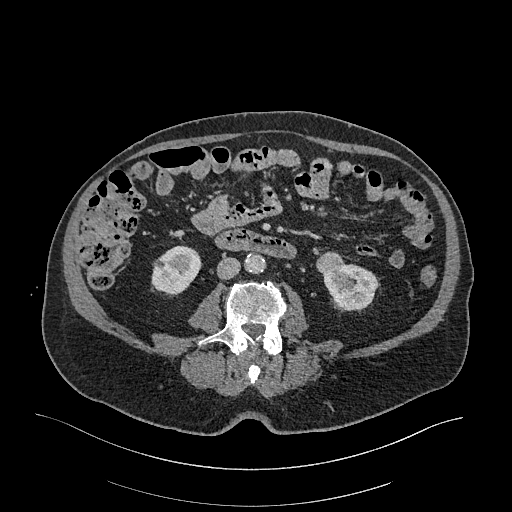
Axial slice 91 of 470 of a contrast-enhanced abdominal CT in the arterial phase (slice 1 is the lowest), 120 kVp, kernel I26f; 1.00 mm slice thickness and 0.938 mm pixels.
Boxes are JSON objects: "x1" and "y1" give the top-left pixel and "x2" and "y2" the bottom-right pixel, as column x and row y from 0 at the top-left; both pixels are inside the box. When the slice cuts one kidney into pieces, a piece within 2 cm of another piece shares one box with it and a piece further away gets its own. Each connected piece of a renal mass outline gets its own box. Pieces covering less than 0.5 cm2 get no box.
Two kidney boxes and one renal mass box on this slice; by box centre, from the image's left to its right: (1) Right kidney at {"x1": 151, "y1": 245, "x2": 202, "y2": 294} (outlined area 1,867 px, about 16.4 cm2). (2) Left renal mass at {"x1": 316, "y1": 251, "x2": 342, "y2": 275} (outlined area 519 px, about 4.6 cm2). (3) Left kidney at {"x1": 322, "y1": 260, "x2": 377, "y2": 310} (outlined area 1,891 px, about 16.6 cm2).